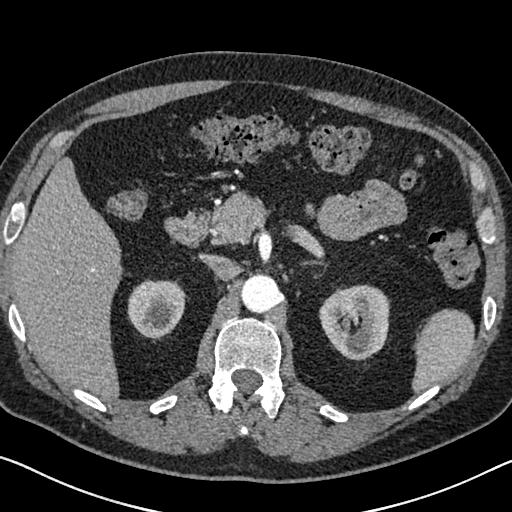
One axial slice (461 of 626, counting up from the lowest) of an arterial-phase abdominal CT acquired with 120 kVp, kernel I30f; each pixel is 0.703 mm and the slice is 1.00 mm thick.
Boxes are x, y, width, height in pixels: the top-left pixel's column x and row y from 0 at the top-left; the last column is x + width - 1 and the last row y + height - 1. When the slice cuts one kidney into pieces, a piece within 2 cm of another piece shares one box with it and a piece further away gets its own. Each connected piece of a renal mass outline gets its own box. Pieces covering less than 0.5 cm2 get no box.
Boxed on this slice (two kidney boxes), listed by box centre from the image's left to its right: (1) Right kidney, box x 127, y 279, width 58, height 61 (outlined area 2,725 px, about 13.5 cm2). (2) Left kidney, box x 319, y 284, width 72, height 77 (outlined area 4,153 px, about 20.5 cm2). No renal mass outline on this slice.